Contrast-enhanced abdominal CT, axial slice 42 of 103 (counted from the lowest slice); tube voltage 120 kVp, convolution kernel STANDARD; slices 2.50 mm thick, 0.736 mm per pixel.
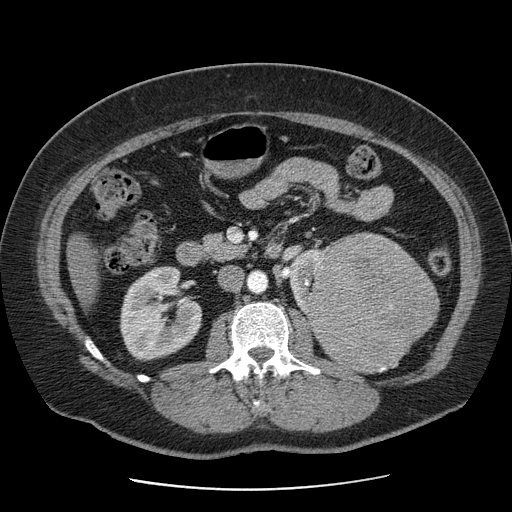
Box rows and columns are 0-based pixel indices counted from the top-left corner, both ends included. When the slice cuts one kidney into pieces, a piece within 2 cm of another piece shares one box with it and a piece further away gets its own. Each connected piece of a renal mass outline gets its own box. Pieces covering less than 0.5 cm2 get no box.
Boxed on this slice (two kidney boxes and one renal mass box), listed by box centre from the image's left to its right: (1) Box rows 266–361, columns 119–202: right kidney (outlined area 5,798 px, about 31.4 cm2). (2) Left kidney, box rows 248–314, columns 290–321 (outlined area 1,258 px, about 6.8 cm2). (3) Left renal mass at rows 232–374, columns 307–440 (outlined area 13,901 px, about 75.4 cm2).